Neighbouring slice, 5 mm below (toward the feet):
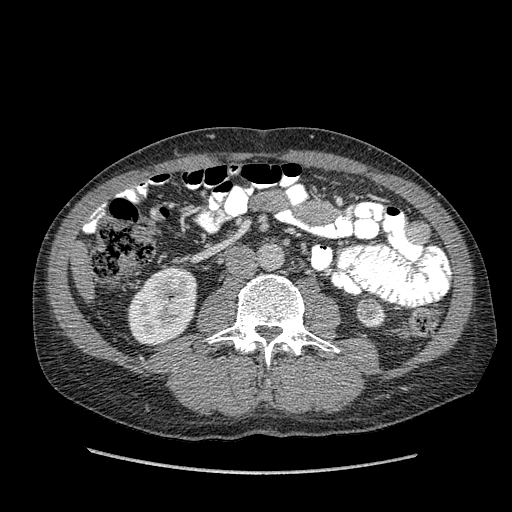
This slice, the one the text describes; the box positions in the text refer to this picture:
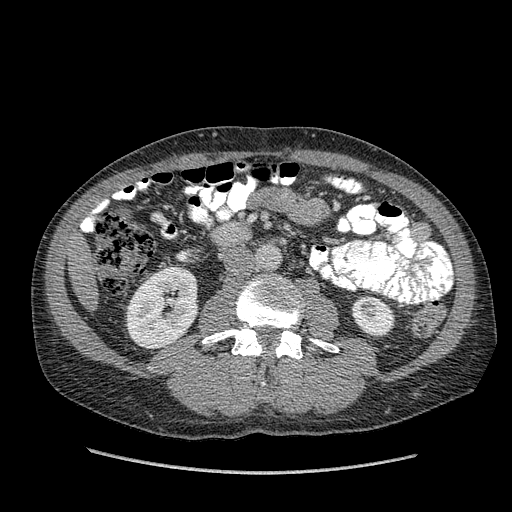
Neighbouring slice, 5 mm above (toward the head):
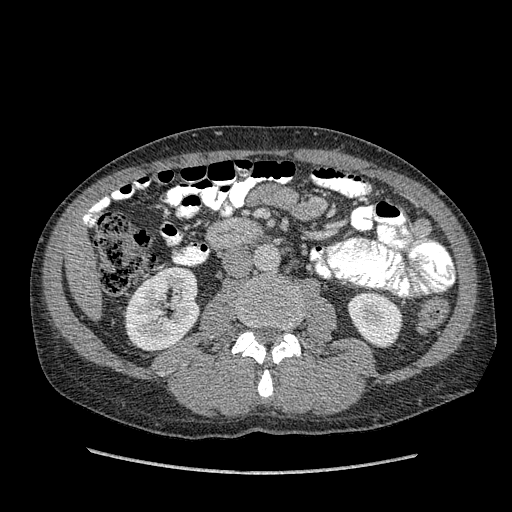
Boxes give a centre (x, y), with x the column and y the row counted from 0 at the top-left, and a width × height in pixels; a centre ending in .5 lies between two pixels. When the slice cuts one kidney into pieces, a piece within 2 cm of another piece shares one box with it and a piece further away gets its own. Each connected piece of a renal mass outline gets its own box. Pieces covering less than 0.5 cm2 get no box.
Slice 178/349 of a contrast-enhanced abdominal CT in the arterial phase, counting up from the lowest; pixel size 0.742 mm, slice thickness 1.25 mm. Three boxes on this slice (two kidney boxes and one renal mass box), listed by box centre from the image's left to its right. (1) Box centre (162, 307.5), 73 × 84 pixels: right kidney (outlined area 4,685 px, about 25.8 cm2). (2) Left renal mass, box centre (367, 309), 13 × 13 pixels (outlined area 136 px, about 0.7 cm2). (3) Left kidney in a box with centre (373, 316), 45 × 45 pixels (outlined area 1,322 px, about 7.3 cm2). This slice lies near the end of the left renal mass toward the head; the slices 5 mm below and 5 mm above it are shown too, and the boxes mark positions on this slice only.
Tube voltage 120 kVp; convolution kernel STANDARD.